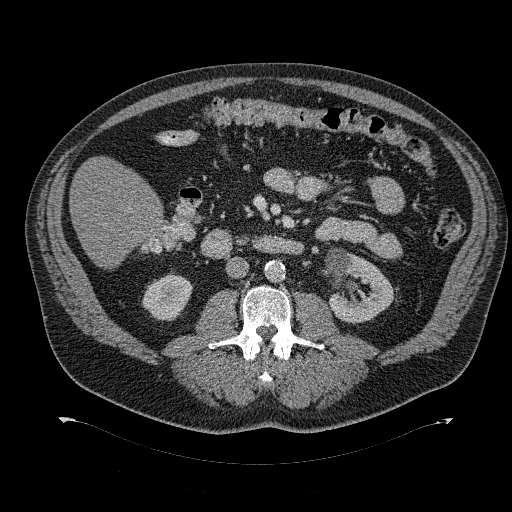
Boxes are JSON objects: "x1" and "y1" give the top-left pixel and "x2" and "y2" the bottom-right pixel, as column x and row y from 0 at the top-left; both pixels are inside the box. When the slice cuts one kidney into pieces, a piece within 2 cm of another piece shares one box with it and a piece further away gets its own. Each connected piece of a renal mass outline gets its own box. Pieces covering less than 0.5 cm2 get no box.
Contrast-enhanced abdominal CT, axial slice 168 of 274 (counted from the lowest slice); 2.00 mm thick, 0.977 mm per pixel. Two boxes on this slice (two kidney boxes), listed by box centre from the image's left to its right. (1) Right kidney, box {"x1": 142, "y1": 271, "x2": 192, "y2": 321} (outlined area 1,773 px, about 16.9 cm2). (2) Left kidney, box {"x1": 324, "y1": 248, "x2": 395, "y2": 322} (outlined area 3,523 px, about 33.6 cm2). This slice carries no renal mass outline.
Acquired at 120 kVp and reconstructed with the B31f kernel.